Axial slice 555 of 787 of a contrast-enhanced abdominal CT (slice 1 is the lowest), 140 kVp, kernel I30f; 1.00 mm slice thickness and 0.910 mm pixels.
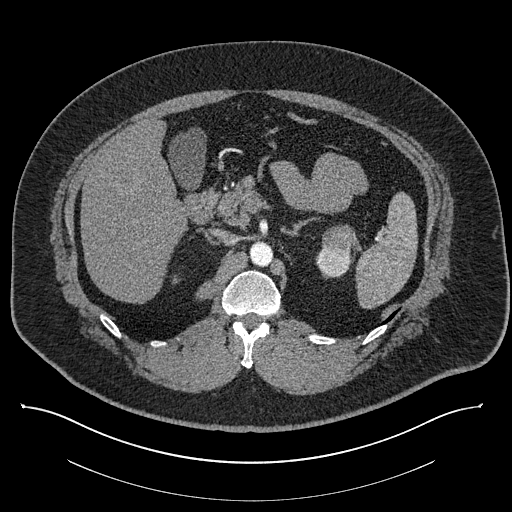
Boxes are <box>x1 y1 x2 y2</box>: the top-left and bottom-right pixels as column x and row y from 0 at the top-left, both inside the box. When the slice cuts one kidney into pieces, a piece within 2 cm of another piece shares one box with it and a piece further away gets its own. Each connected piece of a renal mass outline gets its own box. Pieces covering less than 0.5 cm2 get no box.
Two boxes on this slice (one kidney box and one renal mass box), listed by box centre from the image's left to its right. (1) At <box>315 246 350 278</box>: left kidney (outlined area 821 px, about 6.8 cm2). (2) At <box>322 225 355 253</box>: left renal mass (outlined area 752 px, about 6.2 cm2).